Axial slice 544 of 738 of a contrast-enhanced abdominal CT in the arterial phase (slice 1 is the lowest), 120 kVp, kernel I30f; 1.00 mm slice thickness and 0.789 mm pixels.
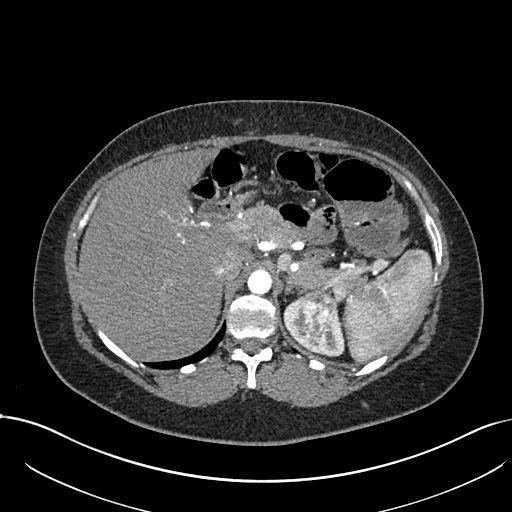
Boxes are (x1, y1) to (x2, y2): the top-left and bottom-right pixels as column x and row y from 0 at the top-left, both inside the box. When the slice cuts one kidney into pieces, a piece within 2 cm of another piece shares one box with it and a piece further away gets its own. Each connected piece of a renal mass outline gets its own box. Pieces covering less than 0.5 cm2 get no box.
One kidney box and one renal mass box on this slice; by box centre, from the image's left to its right: (1) Left kidney, box (283, 298) to (343, 356) (outlined area 1,335 px, about 8.3 cm2). (2) Left renal mass from (297, 291) to (336, 345) (outlined area 1,629 px, about 10.1 cm2).